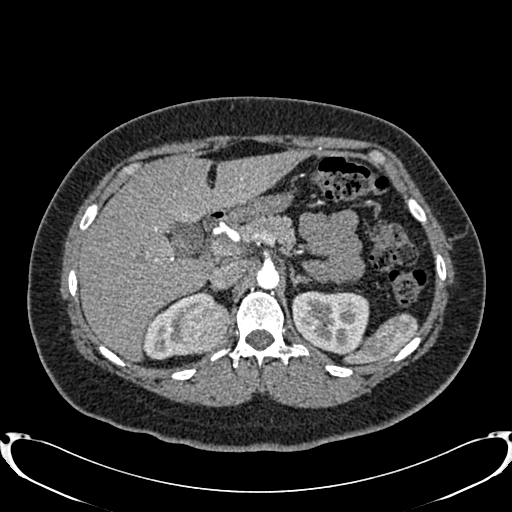
One axial slice (559 of 719, counting up from the lowest) of an arterial-phase abdominal CT acquired with 120 kVp, kernel B20f; each pixel is 0.766 mm and the slice is 1.00 mm thick.
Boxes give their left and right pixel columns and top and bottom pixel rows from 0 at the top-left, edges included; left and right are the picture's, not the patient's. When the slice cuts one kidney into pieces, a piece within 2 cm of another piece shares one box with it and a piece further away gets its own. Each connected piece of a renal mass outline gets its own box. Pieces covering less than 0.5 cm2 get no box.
Boxed on this slice (two kidney boxes and one renal mass box), listed by box centre from the image's left to its right: (1) Right kidney, the box with left 142, top 291, right 213, bottom 359 (outlined area 1,951 px, about 11.4 cm2). (2) Right renal mass, the box with left 176, top 299, right 230, bottom 354 (outlined area 2,401 px, about 14.1 cm2). (3) Box with left 292, top 291, right 369, bottom 354: left kidney (outlined area 3,965 px, about 23.2 cm2).